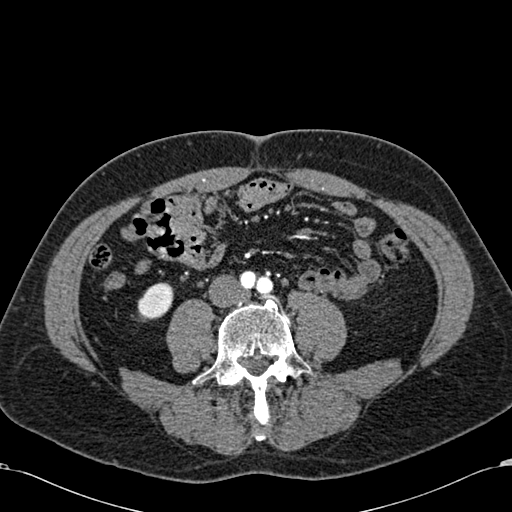
One axial slice (204 of 581, counting up from the lowest) of an arterial-phase abdominal CT acquired with 120 kVp, kernel B30f; each pixel is 0.713 mm and the slice is 1.00 mm thick.
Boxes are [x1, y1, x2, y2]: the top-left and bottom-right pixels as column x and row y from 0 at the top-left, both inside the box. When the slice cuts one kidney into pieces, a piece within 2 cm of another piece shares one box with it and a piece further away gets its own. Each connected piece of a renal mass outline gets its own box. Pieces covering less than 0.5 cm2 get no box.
Box [137, 282, 173, 321]: right kidney (outlined area 1,075 px, about 5.5 cm2). No renal mass outline on this slice.